Arterial-phase contrast-enhanced abdominal CT, axial slice 47 of 94 (counted from the lowest slice); tube voltage 100 kVp, convolution kernel I41f; slices 5.00 mm thick, 0.551 mm per pixel.
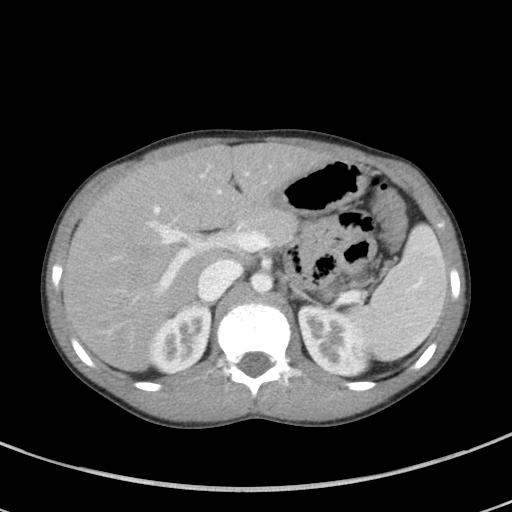
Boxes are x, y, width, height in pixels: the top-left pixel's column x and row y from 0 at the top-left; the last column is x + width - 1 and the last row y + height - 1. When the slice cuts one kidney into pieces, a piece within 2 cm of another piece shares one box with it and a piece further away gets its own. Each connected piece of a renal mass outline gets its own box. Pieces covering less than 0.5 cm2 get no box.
Two boxes on this slice (two kidney boxes), listed by box centre from the image's left to its right. (1) Box x 150, y 306, width 63, height 69: right kidney (outlined area 3,089 px, about 9.4 cm2). (2) Left kidney, box x 298, y 304, width 74, height 74 (outlined area 3,890 px, about 11.8 cm2). No renal mass outline on this slice.